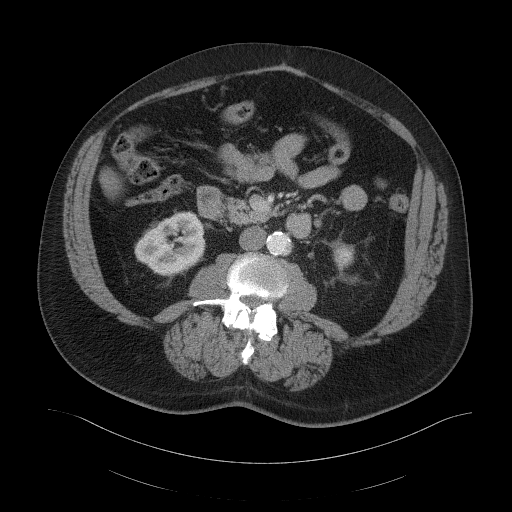
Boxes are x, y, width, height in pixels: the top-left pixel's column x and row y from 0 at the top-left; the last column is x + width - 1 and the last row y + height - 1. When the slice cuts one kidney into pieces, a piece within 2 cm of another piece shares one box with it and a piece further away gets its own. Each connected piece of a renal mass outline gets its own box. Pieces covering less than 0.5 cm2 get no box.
Slice 63/103 of a contrast-enhanced abdominal CT in the arterial phase, counting up from the lowest; pixel size 0.951 mm, slice thickness 5.00 mm. Boxed on this slice (two kidney boxes), listed by box centre from the image's left to its right: (1) Box x 134, y 211, width 72, height 66: right kidney (outlined area 3,357 px, about 30.4 cm2). (2) Left kidney, box x 331, y 242, width 24, height 31 (outlined area 515 px, about 4.7 cm2). No renal mass outline on this slice.
Tube voltage 120 kVp; convolution kernel B41f.